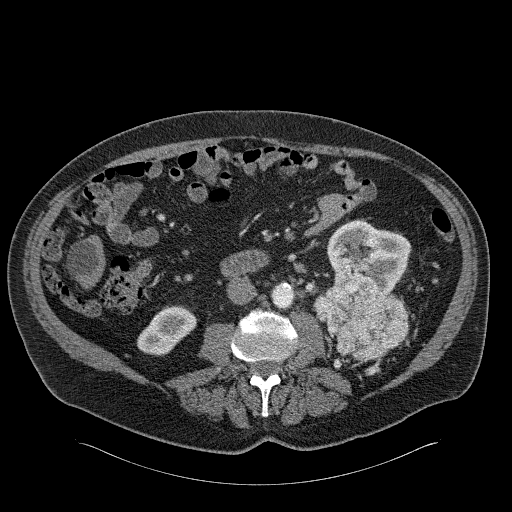
Axial slice 92 of 326 of a contrast-enhanced abdominal CT in the arterial phase (slice 1 is the lowest), 120 kVp, kernel B31f; 2.00 mm slice thickness and 0.963 mm pixels.
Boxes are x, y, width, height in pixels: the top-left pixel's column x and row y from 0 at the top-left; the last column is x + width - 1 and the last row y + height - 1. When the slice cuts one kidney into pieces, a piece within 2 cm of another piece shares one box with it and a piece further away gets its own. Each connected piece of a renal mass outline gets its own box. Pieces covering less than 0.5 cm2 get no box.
Boxed on this slice (two kidney boxes and one renal mass box), listed by box centre from the image's left to its right: (1) Right kidney, box x 137, y 307, width 60, height 49 (outlined area 1,934 px, about 17.9 cm2). (2) Box x 313, y 276, width 96, height 85: left renal mass (outlined area 5,609 px, about 52.0 cm2). (3) Box x 327, y 220, width 85, height 75: left kidney (outlined area 4,335 px, about 40.2 cm2).